One axial slice (184 of 326, counting up from the lowest) of an arterial-phase abdominal CT acquired with 120 kVp, kernel B31f; each pixel is 0.963 mm and the slice is 2.00 mm thick.
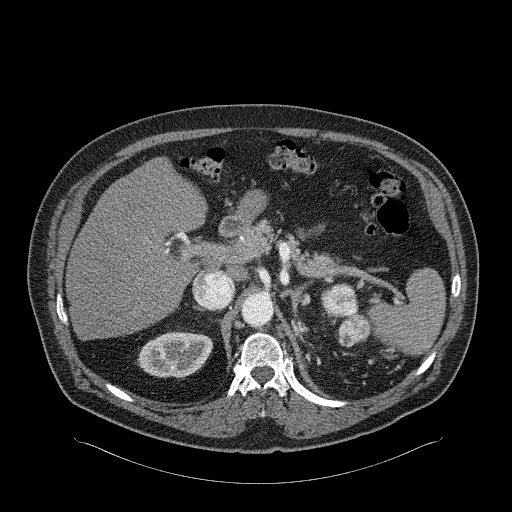
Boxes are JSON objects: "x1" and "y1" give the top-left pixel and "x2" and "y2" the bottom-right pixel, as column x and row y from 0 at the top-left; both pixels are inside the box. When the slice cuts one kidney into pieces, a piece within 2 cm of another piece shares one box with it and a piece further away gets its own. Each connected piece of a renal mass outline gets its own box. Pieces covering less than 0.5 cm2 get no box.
Boxed on this slice (one kidney box and one renal mass box), listed by box centre from the image's left to its right: (1) Right kidney at {"x1": 136, "y1": 331, "x2": 212, "y2": 378} (outlined area 2,769 px, about 25.7 cm2). (2) Left renal mass at {"x1": 321, "y1": 283, "x2": 371, "y2": 347} (outlined area 1,927 px, about 17.9 cm2); here it is more than 1 cm from any kidney outline, though on another slice the same outlined renal mass lies within 1 cm of the kidney.